Contrast-enhanced abdominal CT, axial slice 64 of 101 (counted from the lowest slice); tube voltage 100 kVp, convolution kernel I40f; slices 5.00 mm thick, 0.684 mm per pixel.
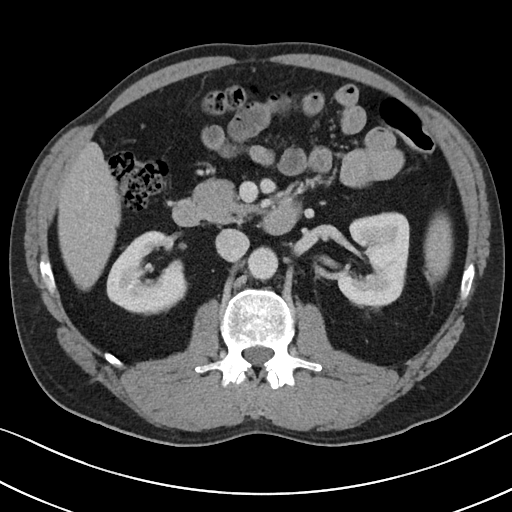
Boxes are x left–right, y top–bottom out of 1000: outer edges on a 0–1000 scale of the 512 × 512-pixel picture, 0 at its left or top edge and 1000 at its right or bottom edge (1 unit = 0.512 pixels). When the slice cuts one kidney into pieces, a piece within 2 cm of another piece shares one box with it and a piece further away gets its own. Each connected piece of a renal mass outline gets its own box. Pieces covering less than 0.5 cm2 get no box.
Boxed on this slice (two kidney boxes), listed by box centre from the image's left to its right: (1) Right kidney, box x 207–367, y 449–617 out of 1000 (outlined area 4,581 px, about 21.4 cm2). (2) Box x 656–801, y 414–600 out of 1000: left kidney (outlined area 5,170 px, about 24.2 cm2). No renal mass outline on this slice.